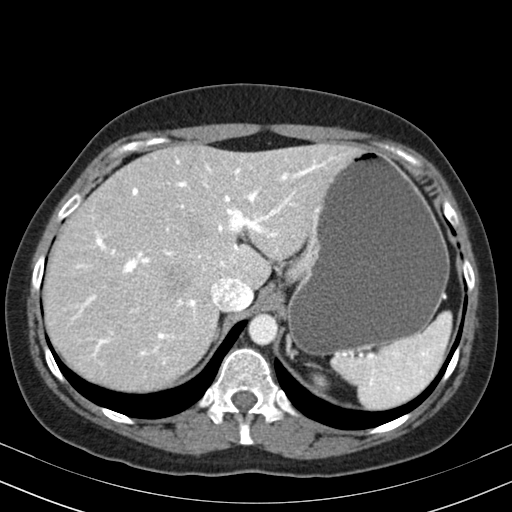
One axial slice (141 of 164, counting up from the lowest) of an arterial-phase abdominal CT acquired with 130 kVp, kernel B30s; each pixel is 0.664 mm and the slice is 3.00 mm thick.
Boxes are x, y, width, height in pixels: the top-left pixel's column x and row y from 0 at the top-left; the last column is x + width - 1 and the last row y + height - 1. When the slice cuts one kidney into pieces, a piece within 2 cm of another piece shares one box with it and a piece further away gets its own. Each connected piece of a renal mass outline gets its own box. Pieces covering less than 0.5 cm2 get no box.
Left kidney, box x 311, y 372, width 19, height 18 (outlined area 209 px, about 0.9 cm2). This slice carries no renal mass outline.